One axial slice (23 of 43, counting up from the lowest) of a contrast-enhanced abdominal CT acquired with 120 kVp, kernel B31f; each pixel is 0.701 mm and the slice is 5.00 mm thick.
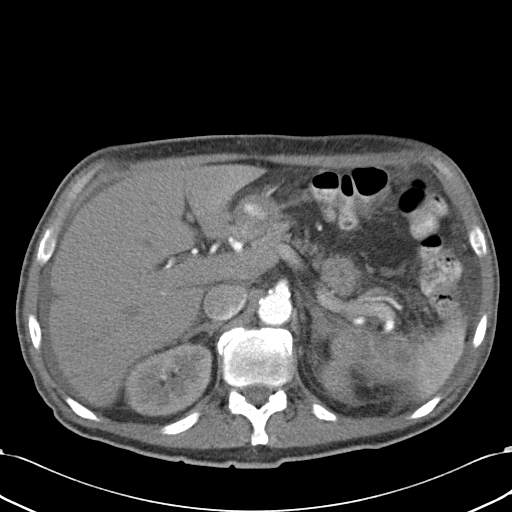
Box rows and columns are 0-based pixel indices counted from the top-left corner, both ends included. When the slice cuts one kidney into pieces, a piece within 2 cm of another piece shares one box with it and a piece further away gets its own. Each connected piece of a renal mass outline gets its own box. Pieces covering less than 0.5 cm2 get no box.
Boxed on this slice (two kidney boxes and one renal mass box), listed by box centre from the image's left to its right: (1) Right kidney at rows 344–416, columns 124–211 (outlined area 4,874 px, about 24.0 cm2). (2) Left kidney at rows 358–405, columns 319–359 (outlined area 1,235 px, about 6.1 cm2). (3) Left renal mass at rows 330–385, columns 330–418 (outlined area 3,516 px, about 17.3 cm2).